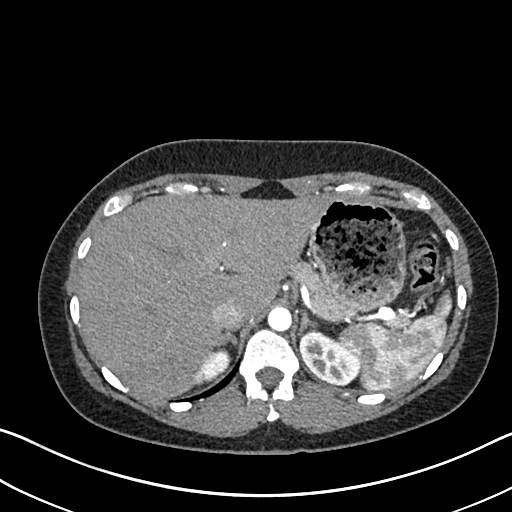
Axial slice 539 of 612 of a contrast-enhanced abdominal CT in the arterial phase (slice 1 is the lowest), 120 kVp, kernel I30f; 1.00 mm slice thickness and 0.703 mm pixels.
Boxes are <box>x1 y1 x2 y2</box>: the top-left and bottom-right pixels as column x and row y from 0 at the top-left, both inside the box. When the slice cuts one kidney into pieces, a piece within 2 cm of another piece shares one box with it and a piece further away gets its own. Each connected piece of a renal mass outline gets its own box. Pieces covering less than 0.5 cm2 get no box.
Two kidney boxes on this slice; by box centre, from the image's left to its right: (1) At <box>195 347 230 379</box>: right kidney (outlined area 739 px, about 3.7 cm2). (2) At <box>299 327 360 385</box>: left kidney (outlined area 2,331 px, about 11.5 cm2). This slice carries no renal mass outline.